One axial slice (488 of 705, counting up from the lowest) of an arterial-phase abdominal CT acquired with 120 kVp, kernel I30f; each pixel is 0.703 mm and the slice is 1.00 mm thick.
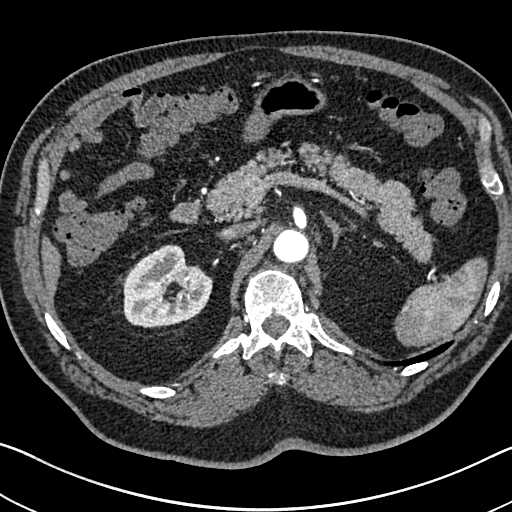
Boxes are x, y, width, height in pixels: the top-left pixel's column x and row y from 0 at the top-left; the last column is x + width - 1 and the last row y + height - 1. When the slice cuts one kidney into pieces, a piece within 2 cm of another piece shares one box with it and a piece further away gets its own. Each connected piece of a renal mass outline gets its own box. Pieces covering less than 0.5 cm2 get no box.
Right kidney at x 122, y 244, width 91, height 84 (outlined area 5,464 px, about 27.0 cm2). This slice carries no renal mass outline.